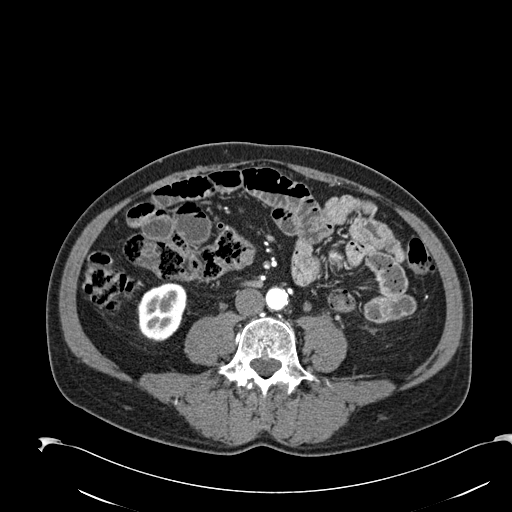
Axial slice 53 of 274 of a contrast-enhanced abdominal CT in the arterial phase (slice 1 is the lowest), 120 kVp, kernel B30f; 2.00 mm slice thickness and 0.809 mm pixels.
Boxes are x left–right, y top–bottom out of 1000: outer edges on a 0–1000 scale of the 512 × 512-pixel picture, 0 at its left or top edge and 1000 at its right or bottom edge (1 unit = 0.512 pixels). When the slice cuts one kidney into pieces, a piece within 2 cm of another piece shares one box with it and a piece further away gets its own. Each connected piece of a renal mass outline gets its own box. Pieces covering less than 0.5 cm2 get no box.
Right kidney at x 268–367, y 553–668 out of 1000 (outlined area 2,271 px, about 14.8 cm2). No renal mass is outlined on this slice.